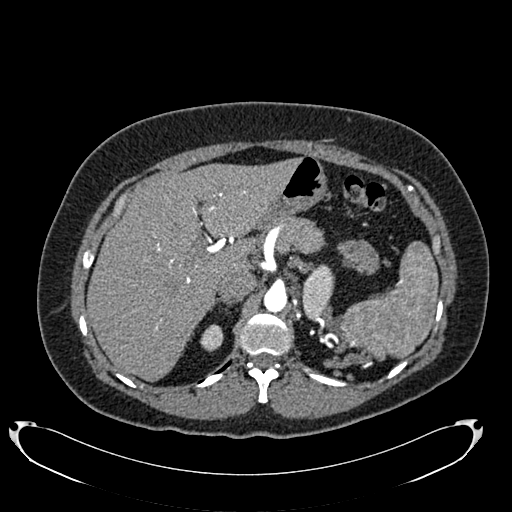
Arterial-phase contrast-enhanced abdominal CT, axial slice 536 of 634 (counted from the lowest slice); tube voltage 120 kVp, convolution kernel B20f; slices 1.00 mm thick, 0.838 mm per pixel.
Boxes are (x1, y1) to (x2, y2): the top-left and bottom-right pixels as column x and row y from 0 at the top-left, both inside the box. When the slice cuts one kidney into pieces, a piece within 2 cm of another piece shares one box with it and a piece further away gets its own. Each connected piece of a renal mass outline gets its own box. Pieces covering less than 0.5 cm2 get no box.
Two boxes on this slice (two kidney boxes), listed by box centre from the image's left to its right. (1) Box (200, 324) to (223, 351): right kidney (outlined area 477 px, about 3.3 cm2). (2) Left kidney, box (301, 265) to (334, 321) (outlined area 1,324 px, about 9.3 cm2). This slice carries no renal mass outline.